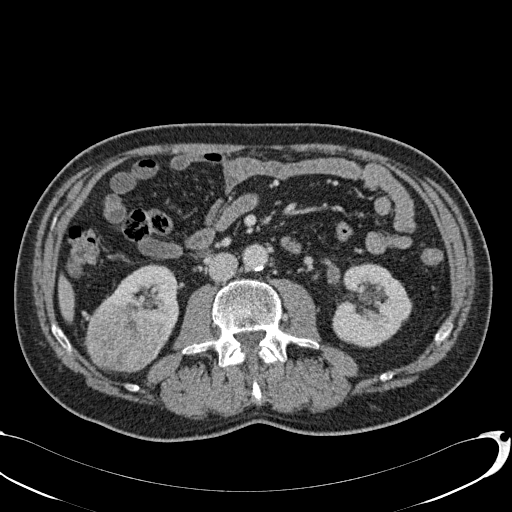
Abdominal CT with intravenous contrast, axial plane, 120 kVp, kernel B31f. Slice 28/113 from the bottom of the scan; thickness 2.00 mm; pixel size 0.742 mm.
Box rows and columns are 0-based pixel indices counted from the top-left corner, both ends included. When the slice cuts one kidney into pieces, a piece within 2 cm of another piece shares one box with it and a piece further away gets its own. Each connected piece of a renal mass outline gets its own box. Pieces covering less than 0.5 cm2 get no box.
Three boxes on this slice (two kidney boxes and one renal mass box), listed by box centre from the image's left to its right. (1) Right renal mass at rows 305–373, columns 84–162 (outlined area 4,181 px, about 23.0 cm2). (2) Box rows 263–358, columns 100–179: right kidney (outlined area 3,171 px, about 17.5 cm2). (3) Left kidney at rows 263–347, columns 331–412 (outlined area 4,977 px, about 27.4 cm2).